One axial slice (418 of 626, counting up from the lowest) of an arterial-phase abdominal CT acquired with 120 kVp, kernel I30f; each pixel is 0.703 mm and the slice is 1.00 mm thick.
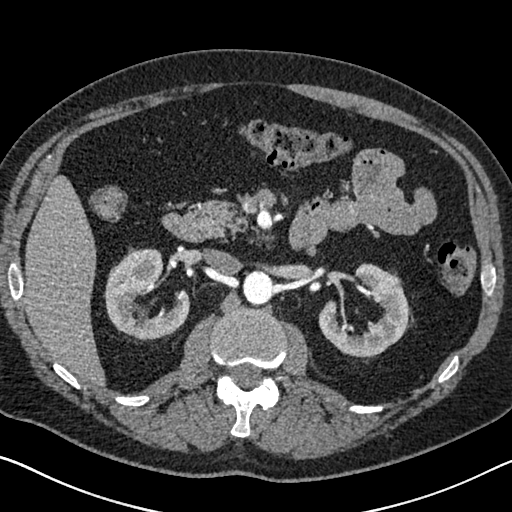
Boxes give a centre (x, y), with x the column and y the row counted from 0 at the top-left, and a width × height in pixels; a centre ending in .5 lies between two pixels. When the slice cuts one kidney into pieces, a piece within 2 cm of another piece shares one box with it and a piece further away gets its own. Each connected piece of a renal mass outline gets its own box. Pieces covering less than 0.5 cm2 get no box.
Two kidney boxes on this slice; by box centre, from the image's left to its right: (1) Box centre (146.5, 293.5), 86 × 94 pixels: right kidney (outlined area 4,976 px, about 24.6 cm2). (2) Left kidney, box centre (363.5, 310), 92 × 95 pixels (outlined area 4,911 px, about 24.3 cm2). No renal mass is outlined on this slice.